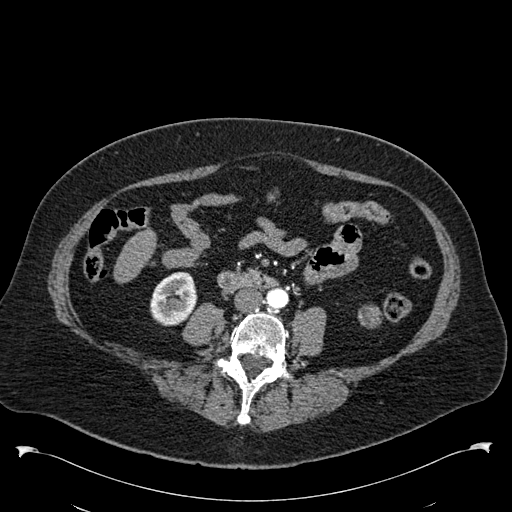
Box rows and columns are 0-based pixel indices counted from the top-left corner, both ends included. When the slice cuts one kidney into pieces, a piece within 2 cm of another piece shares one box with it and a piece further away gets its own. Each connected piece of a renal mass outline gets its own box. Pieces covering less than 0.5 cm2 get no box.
Slice 219/538 of a contrast-enhanced abdominal CT in the arterial phase, counting up from the lowest; pixel size 0.811 mm, slice thickness 1.00 mm. Two boxes on this slice (one kidney box and one renal mass box), listed by box centre from the image's left to its right. (1) Box rows 272–325, columns 150–197: right kidney (outlined area 1,998 px, about 13.1 cm2). (2) Box rows 304–328, columns 358–382: left renal mass (outlined area 467 px, about 3.1 cm2); it sits over 1 cm from every kidney outline on this slice, but the same outlined renal mass comes within 1 cm of the kidney on another slice.
Acquired at 120 kVp and reconstructed with the B30f kernel.